Abdominal CT with intravenous contrast, arterial phase, axial plane, 100 kVp, kernel I41f. Slice 43/94 from the bottom of the scan; thickness 5.00 mm; pixel size 0.551 mm.
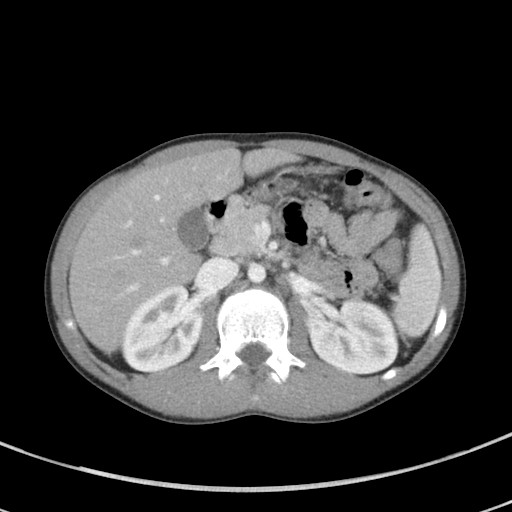
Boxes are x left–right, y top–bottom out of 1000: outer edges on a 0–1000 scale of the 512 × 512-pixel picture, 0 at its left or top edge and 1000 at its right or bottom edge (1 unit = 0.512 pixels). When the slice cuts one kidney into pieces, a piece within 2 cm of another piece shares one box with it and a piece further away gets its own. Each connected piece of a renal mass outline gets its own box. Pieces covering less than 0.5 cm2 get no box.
Two boxes on this slice (two kidney boxes), listed by box centre from the image's left to its right. (1) Box x 236–395, y 557–730 out of 1000: right kidney (outlined area 5,235 px, about 15.9 cm2). (2) Box x 602–779, y 584–734 out of 1000: left kidney (outlined area 5,214 px, about 15.8 cm2). No renal mass outline on this slice.